Arterial-phase contrast-enhanced abdominal CT, axial slice 241 of 541 (counted from the lowest slice); tube voltage 120 kVp, convolution kernel I30f; slices 1.00 mm thick, 0.834 mm per pixel.
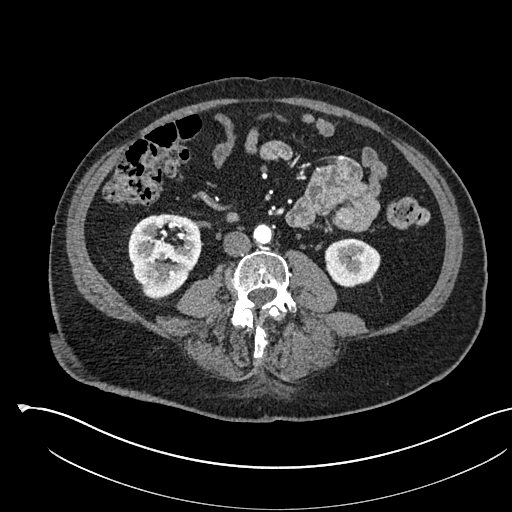
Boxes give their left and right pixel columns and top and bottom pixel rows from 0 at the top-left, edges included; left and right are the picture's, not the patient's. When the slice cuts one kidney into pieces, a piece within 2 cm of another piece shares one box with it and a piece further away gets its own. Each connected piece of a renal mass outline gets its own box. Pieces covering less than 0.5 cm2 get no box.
Two boxes on this slice (two kidney boxes), listed by box centre from the image's left to its right. (1) Box with left 128, top 213, right 200, bottom 300: right kidney (outlined area 4,723 px, about 32.8 cm2). (2) Box with left 324, top 238, right 380, bottom 287: left kidney (outlined area 2,167 px, about 15.1 cm2). No renal mass is outlined on this slice.